Axial slice 296 of 735 of a contrast-enhanced abdominal CT in the arterial phase (slice 1 is the lowest), 120 kVp, kernel I30f; 1.00 mm slice thickness and 0.789 mm pixels.
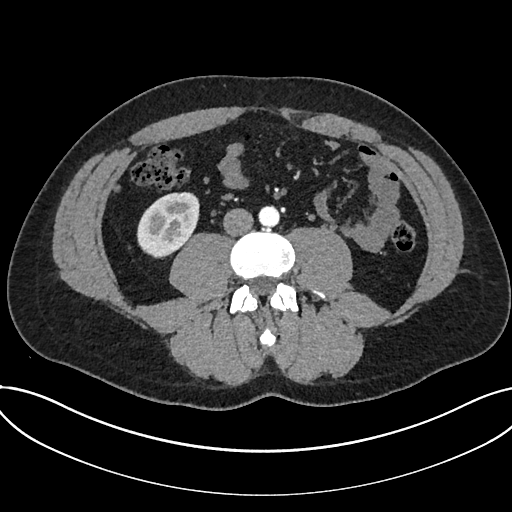
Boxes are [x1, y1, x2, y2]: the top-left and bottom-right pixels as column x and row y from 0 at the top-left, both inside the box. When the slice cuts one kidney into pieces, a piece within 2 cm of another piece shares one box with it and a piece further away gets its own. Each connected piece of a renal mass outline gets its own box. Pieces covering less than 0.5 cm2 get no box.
Kidney, box [136, 192, 199, 258] (outlined area 3,082 px, about 19.2 cm2). No renal mass is outlined on this slice.